Axial slice 60 of 207 of a contrast-enhanced abdominal CT in the arterial phase (slice 1 is the lowest), 120 kVp, kernel FC18; 2.00 mm slice thickness and 0.741 mm pixels.
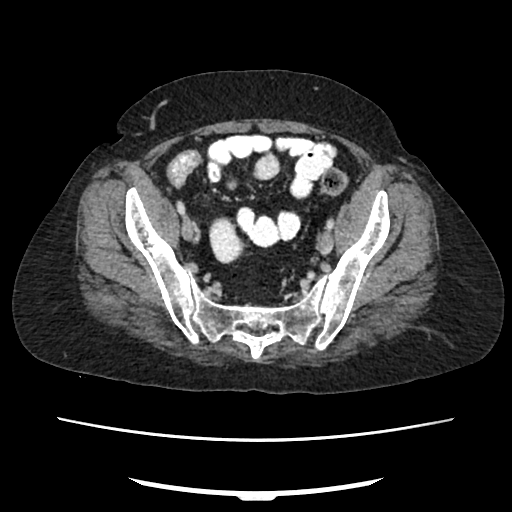
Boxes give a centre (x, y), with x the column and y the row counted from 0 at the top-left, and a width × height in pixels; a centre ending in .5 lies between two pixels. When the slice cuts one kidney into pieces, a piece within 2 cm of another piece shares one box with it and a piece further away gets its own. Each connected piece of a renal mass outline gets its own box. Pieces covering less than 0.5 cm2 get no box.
Right kidney in a box with centre (226, 240), 35 × 47 pixels (outlined area 1,218 px, about 6.7 cm2). This slice carries no renal mass outline.